Contrast-enhanced abdominal CT, axial slice 66 of 90 (counted from the lowest slice); tube voltage 100 kVp, convolution kernel I40f; slices 5.00 mm thick, 0.684 mm per pixel.
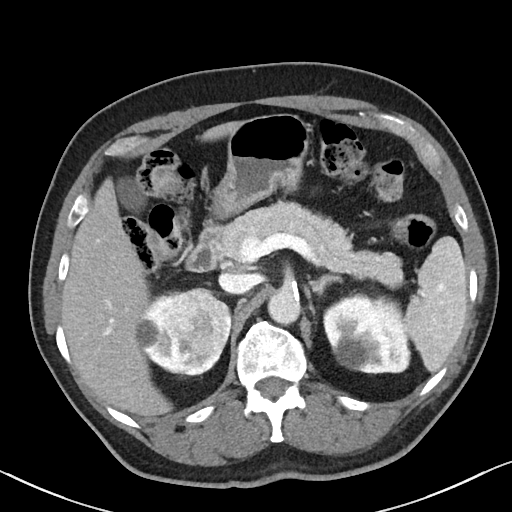
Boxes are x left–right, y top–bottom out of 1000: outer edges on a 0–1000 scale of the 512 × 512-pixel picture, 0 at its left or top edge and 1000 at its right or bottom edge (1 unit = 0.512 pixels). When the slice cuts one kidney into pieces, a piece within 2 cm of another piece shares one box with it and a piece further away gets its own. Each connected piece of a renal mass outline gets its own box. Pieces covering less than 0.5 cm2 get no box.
Two kidney boxes and one renal mass box on this slice; by box centre, from the image's left to its right: (1) Right kidney, box x 262–352, y 566–725 out of 1000 (outlined area 1,809 px, about 8.5 cm2). (2) Right renal mass at x 311–453, y 561–736 out of 1000 (outlined area 4,785 px, about 22.4 cm2). (3) Left kidney at x 631–805, y 570–732 out of 1000 (outlined area 5,780 px, about 27.0 cm2).